Axial slice 217 of 383 of a contrast-enhanced abdominal CT in the arterial phase (slice 1 is the lowest), 100 kVp, kernel SOFT; 1.25 mm slice thickness and 0.898 mm pixels.
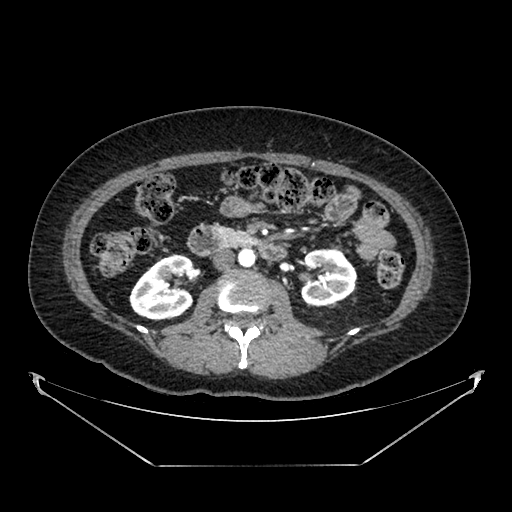
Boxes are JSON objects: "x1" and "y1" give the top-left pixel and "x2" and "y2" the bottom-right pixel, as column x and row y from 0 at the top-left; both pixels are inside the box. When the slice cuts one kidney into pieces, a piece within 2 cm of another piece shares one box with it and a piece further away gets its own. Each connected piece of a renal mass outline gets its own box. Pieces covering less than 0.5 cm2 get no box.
Boxed on this slice (two kidney boxes), listed by box centre from the image's left to its right: (1) Right kidney at {"x1": 129, "y1": 254, "x2": 193, "y2": 320} (outlined area 3,241 px, about 26.2 cm2). (2) Left kidney, box {"x1": 300, "y1": 248, "x2": 357, "y2": 306} (outlined area 2,658 px, about 21.5 cm2). No renal mass outline on this slice.